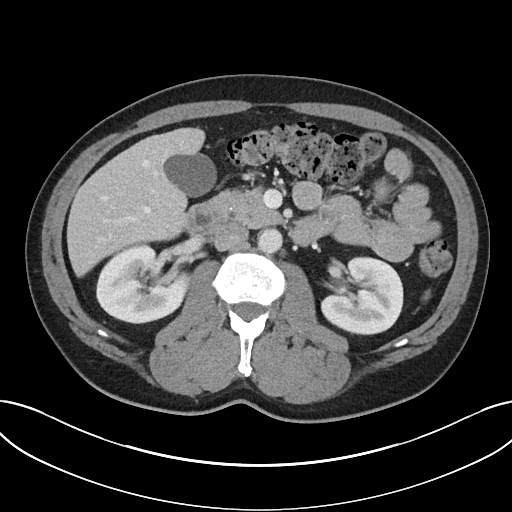
Abdominal CT with intravenous contrast, arterial phase, axial plane, 100 kVp, kernel I40f. Slice 16/32 from the bottom of the scan; thickness 5.00 mm; pixel size 0.779 mm.
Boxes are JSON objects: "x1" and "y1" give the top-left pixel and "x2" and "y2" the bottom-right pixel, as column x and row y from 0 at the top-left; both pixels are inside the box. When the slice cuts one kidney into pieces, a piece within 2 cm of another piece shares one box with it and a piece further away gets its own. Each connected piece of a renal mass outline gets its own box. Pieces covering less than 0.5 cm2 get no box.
Two kidney boxes on this slice; by box centre, from the image's left to its right: (1) Right kidney at {"x1": 96, "y1": 242, "x2": 194, "y2": 323} (outlined area 5,737 px, about 34.8 cm2). (2) Left kidney at {"x1": 321, "y1": 256, "x2": 403, "y2": 335} (outlined area 4,988 px, about 30.3 cm2). No renal mass outline on this slice.